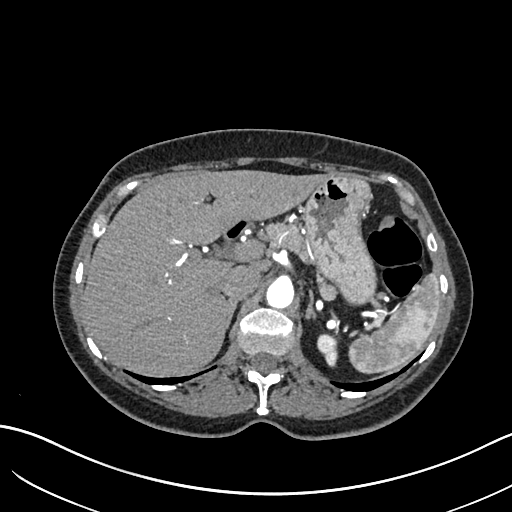
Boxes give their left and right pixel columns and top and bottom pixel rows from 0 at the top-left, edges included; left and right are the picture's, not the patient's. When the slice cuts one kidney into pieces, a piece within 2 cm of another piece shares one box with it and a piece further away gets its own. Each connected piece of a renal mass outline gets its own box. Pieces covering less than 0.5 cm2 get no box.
Slice 474/683 of a contrast-enhanced abdominal CT in the arterial phase, counting up from the lowest; pixel size 0.738 mm, slice thickness 1.00 mm. Left kidney in the box with left 316, top 333, right 338, bottom 367 (outlined area 545 px, about 3.0 cm2). No renal mass is outlined on this slice.
Scan settings: 120 kVp, I30f reconstruction kernel.